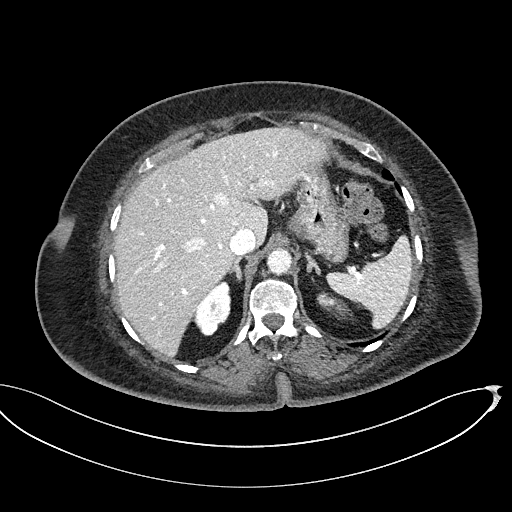
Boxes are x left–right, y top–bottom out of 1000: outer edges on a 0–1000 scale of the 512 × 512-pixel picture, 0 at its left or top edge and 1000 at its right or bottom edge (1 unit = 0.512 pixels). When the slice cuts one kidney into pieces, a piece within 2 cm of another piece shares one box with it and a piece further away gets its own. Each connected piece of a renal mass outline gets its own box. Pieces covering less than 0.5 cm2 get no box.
This is axial slice 363 of 439 (slice 1 is the lowest) of an abdominal CT with contrast; each pixel is 0.850 mm and the slice is 2.00 mm thick. Two boxes on this slice (two kidney boxes), listed by box centre from the image's left to its right. (1) Right kidney at x 377–451, y 549–656 out of 1000 (outlined area 1,369 px, about 9.9 cm2). (2) Left kidney, box x 617–689, y 568–625 out of 1000 (outlined area 534 px, about 3.9 cm2). No renal mass is outlined on this slice.
Scan settings: 100 kVp, I40f reconstruction kernel.